One axial slice (193 of 325, counting up from the lowest) of an arterial-phase abdominal CT acquired with 100 kVp, kernel I30f; each pixel is 0.703 mm and the slice is 1.00 mm thick.
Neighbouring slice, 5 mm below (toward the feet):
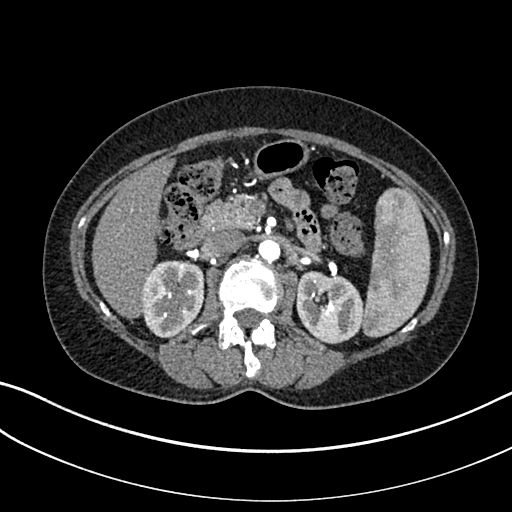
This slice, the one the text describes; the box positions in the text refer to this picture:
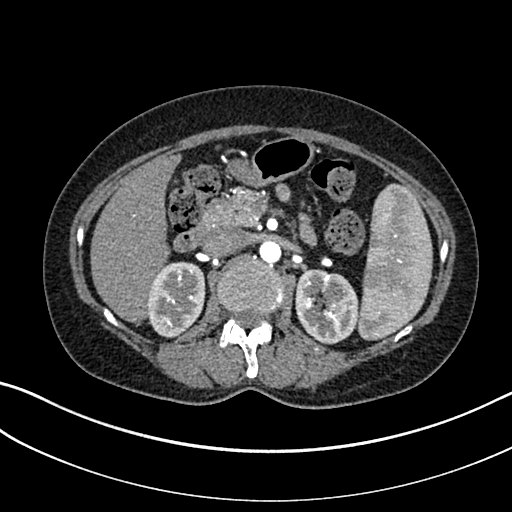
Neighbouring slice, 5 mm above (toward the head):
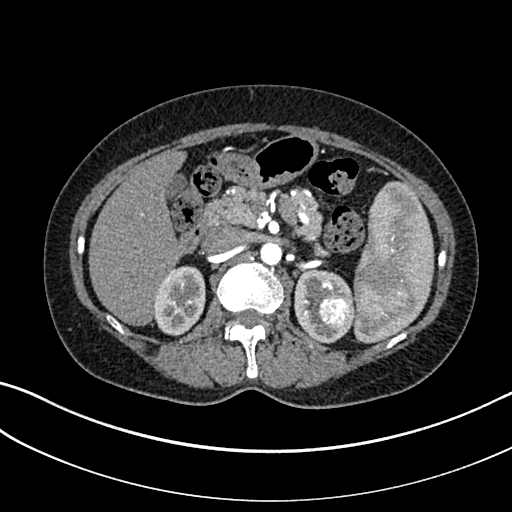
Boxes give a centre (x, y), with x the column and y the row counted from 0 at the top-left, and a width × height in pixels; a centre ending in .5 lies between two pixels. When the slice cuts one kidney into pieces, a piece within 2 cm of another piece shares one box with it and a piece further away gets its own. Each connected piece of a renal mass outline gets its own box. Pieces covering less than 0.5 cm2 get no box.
Boxed on this slice (two kidney boxes and one renal mass box), listed by box centre from the image's left to its right: (1) Box centre (176, 299.5), 59 × 78 pixels: right kidney (outlined area 3,568 px, about 17.6 cm2). (2) Left kidney in a box with centre (327, 306.5), 65 × 76 pixels (outlined area 3,612 px, about 17.9 cm2). (3) Box centre (332, 312), 17 × 17 pixels: left renal mass (outlined area 227 px, about 1.1 cm2). This slice is near the end of the left renal mass toward the feet, so the slices 5 mm below and 5 mm above it are shown as well; the boxes refer to this slice only.